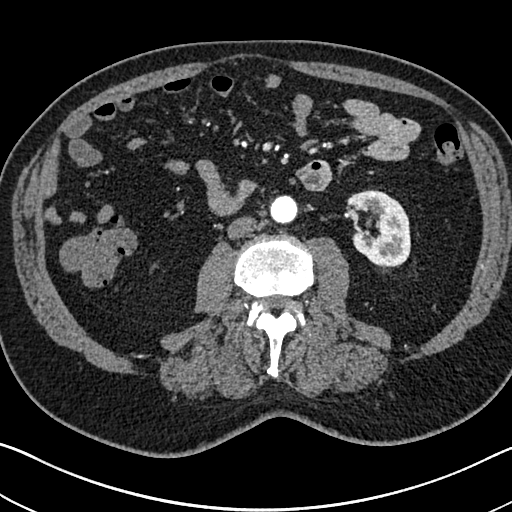
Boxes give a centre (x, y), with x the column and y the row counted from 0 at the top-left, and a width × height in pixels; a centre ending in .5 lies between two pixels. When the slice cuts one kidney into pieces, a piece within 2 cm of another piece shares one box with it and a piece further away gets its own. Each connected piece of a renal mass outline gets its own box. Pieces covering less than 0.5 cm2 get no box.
This is axial slice 336 of 705 (slice 1 is the lowest) of an arterial-phase abdominal CT with contrast; each pixel is 0.703 mm and the slice is 1.00 mm thick. Left kidney in a box with centre (378, 229), 65 × 79 pixels (outlined area 3,700 px, about 18.3 cm2). This slice carries no renal mass outline.
Acquired at 120 kVp and reconstructed with the I30f kernel.